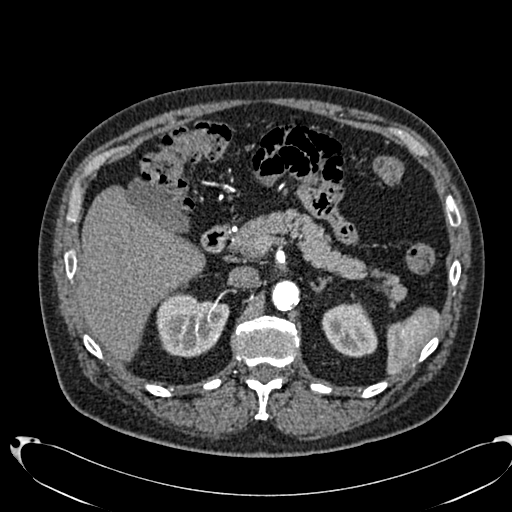
One axial slice (472 of 553, counting up from the lowest) of an arterial-phase abdominal CT acquired with 120 kVp, kernel B20f; each pixel is 0.773 mm and the slice is 1.00 mm thick.
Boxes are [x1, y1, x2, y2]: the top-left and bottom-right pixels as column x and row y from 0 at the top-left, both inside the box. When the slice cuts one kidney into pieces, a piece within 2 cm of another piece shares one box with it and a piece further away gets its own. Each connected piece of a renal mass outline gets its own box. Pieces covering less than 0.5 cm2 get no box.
Two kidney boxes on this slice; by box centre, from the image's left to its right: (1) Box [156, 293, 229, 357]: right kidney (outlined area 3,585 px, about 21.4 cm2). (2) Left kidney, box [321, 302, 377, 357] (outlined area 2,323 px, about 13.9 cm2). This slice carries no renal mass outline.